Arterial-phase contrast-enhanced abdominal CT, axial slice 30 of 195 (counted from the lowest slice); tube voltage 100 kVp, convolution kernel I31f; slices 1.50 mm thick, 0.707 mm per pixel.
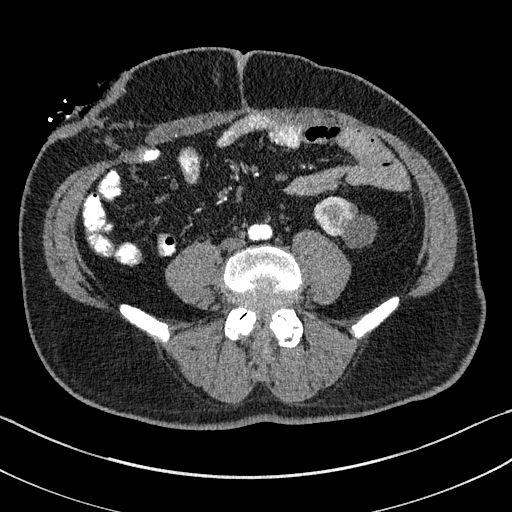
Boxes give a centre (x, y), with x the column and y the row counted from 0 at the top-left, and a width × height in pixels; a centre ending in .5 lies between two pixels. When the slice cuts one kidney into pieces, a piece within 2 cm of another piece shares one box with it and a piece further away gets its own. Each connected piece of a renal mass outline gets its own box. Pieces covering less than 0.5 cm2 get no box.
Box centre (344, 221), 61 × 51 pixels: left kidney (outlined area 1,923 px, about 9.6 cm2). This slice carries no renal mass outline.